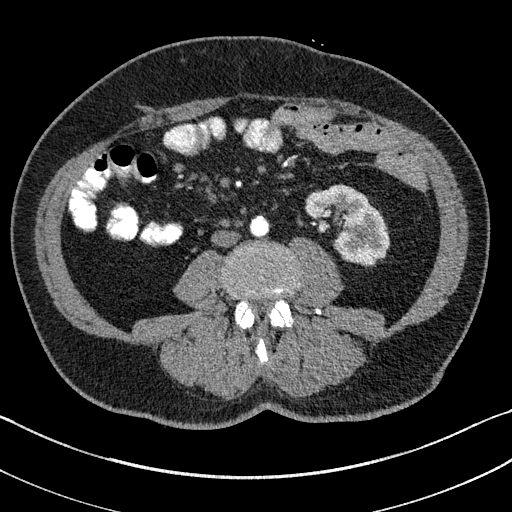
Arterial-phase contrast-enhanced abdominal CT, axial slice 51 of 195 (counted from the lowest slice); tube voltage 100 kVp, convolution kernel I31f; slices 1.50 mm thick, 0.707 mm per pixel.
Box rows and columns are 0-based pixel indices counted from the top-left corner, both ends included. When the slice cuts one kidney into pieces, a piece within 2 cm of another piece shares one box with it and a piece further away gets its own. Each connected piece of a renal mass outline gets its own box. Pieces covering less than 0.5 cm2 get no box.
Box rows 184–265, columns 306–389: left kidney (outlined area 4,254 px, about 21.3 cm2). This slice carries no renal mass outline.